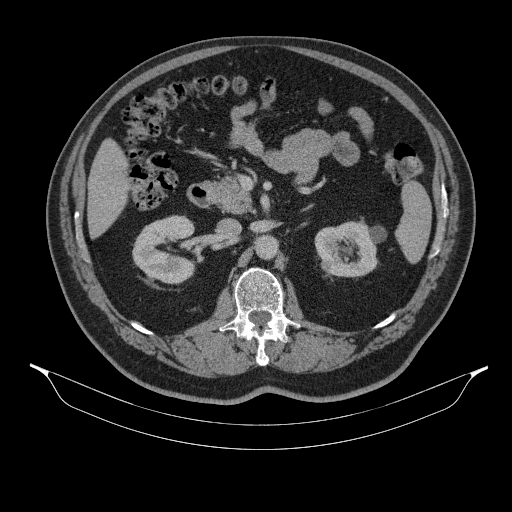
Axial slice 208 of 314 of a contrast-enhanced abdominal CT (slice 1 is the lowest), 130 kVp, kernel B31s; 2.50 mm slice thickness and 0.934 mm pixels.
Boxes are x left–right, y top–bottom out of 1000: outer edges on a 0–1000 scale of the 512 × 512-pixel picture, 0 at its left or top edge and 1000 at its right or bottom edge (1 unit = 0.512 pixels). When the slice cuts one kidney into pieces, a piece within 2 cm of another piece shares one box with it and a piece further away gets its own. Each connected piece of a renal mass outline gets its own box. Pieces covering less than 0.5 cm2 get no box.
Two kidney boxes on this slice; by box centre, from the image's left to its right: (1) Right kidney, box x 258–383, y 420–557 out of 1000 (outlined area 3,339 px, about 29.1 cm2). (2) Left kidney at x 615–756, y 432–543 out of 1000 (outlined area 3,073 px, about 26.8 cm2). This slice carries no renal mass outline.